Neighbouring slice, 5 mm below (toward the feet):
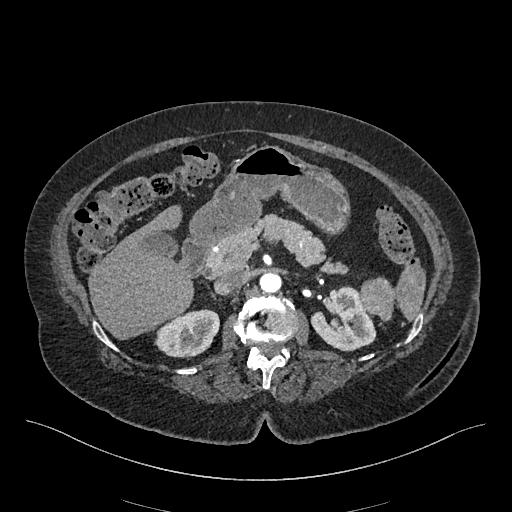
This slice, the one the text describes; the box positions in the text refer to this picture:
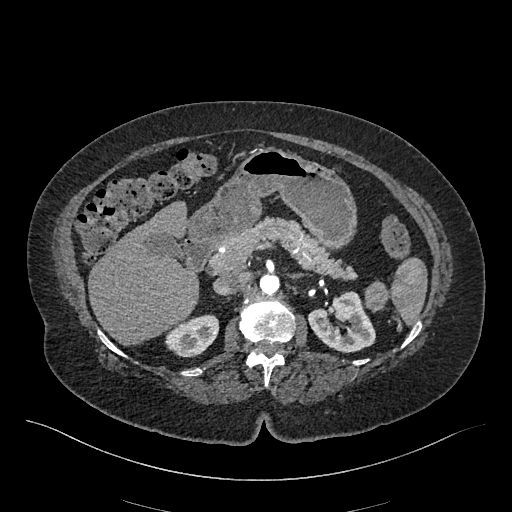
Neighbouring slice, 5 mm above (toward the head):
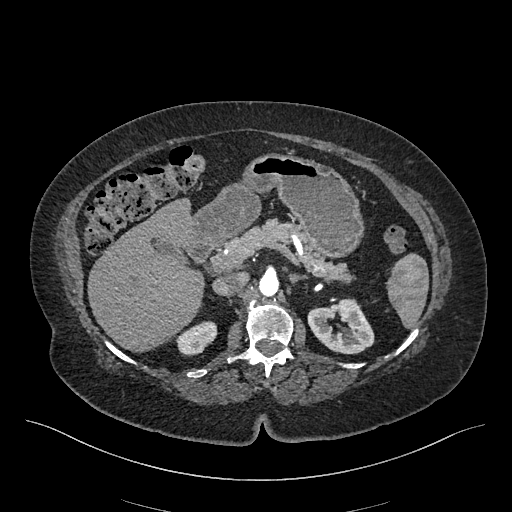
Axial slice 299 of 548 of a contrast-enhanced abdominal CT in the arterial phase (slice 1 is the lowest), 120 kVp, kernel I26f; 1.00 mm slice thickness and 0.852 mm pixels.
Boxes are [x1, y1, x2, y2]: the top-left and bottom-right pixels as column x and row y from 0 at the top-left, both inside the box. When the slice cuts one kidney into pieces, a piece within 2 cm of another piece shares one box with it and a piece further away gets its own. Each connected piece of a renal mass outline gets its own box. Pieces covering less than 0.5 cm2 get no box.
Three boxes on this slice (two kidney boxes and one renal mass box), listed by box centre from the image's left to its right. (1) Box [165, 314, 219, 357]: right kidney (outlined area 1,662 px, about 12.1 cm2). (2) Left kidney, box [308, 291, 375, 353] (outlined area 2,782 px, about 20.2 cm2). (3) Box [364, 280, 389, 312]: left renal mass (outlined area 587 px, about 4.3 cm2). This slice is near the end of the left renal mass toward the head, so the slices 5 mm below and 5 mm above it are shown as well; the boxes refer to this slice only.